Abdominal CT with intravenous contrast, arterial phase, axial plane, 120 kVp, kernel I30f. Slice 397/670 from the bottom of the scan; thickness 1.00 mm; pixel size 0.861 mm.
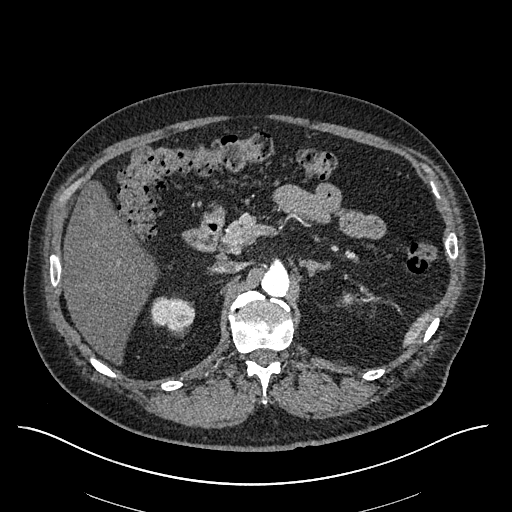
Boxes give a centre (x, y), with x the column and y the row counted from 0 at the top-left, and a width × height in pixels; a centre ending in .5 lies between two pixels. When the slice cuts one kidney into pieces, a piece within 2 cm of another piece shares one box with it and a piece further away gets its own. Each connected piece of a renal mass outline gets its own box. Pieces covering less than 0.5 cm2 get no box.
Right kidney in a box with centre (172, 313.5), 45 × 36 pixels (outlined area 1,195 px, about 8.9 cm2). This slice carries no renal mass outline.